Abdominal CT with intravenous contrast, arterial phase, axial plane, 140 kVp, kernel I30f. Slice 271/591 from the bottom of the scan; thickness 1.00 mm; pixel size 0.703 mm.
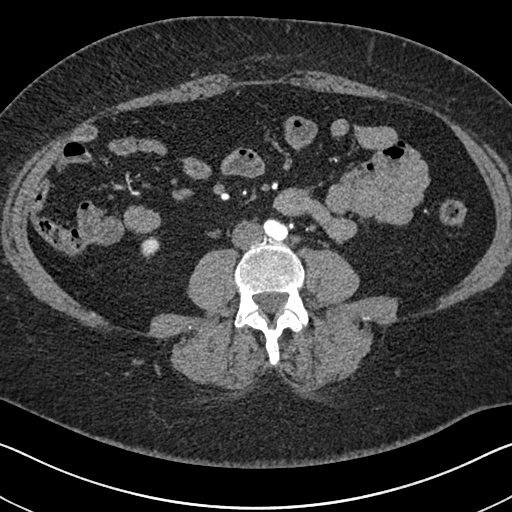
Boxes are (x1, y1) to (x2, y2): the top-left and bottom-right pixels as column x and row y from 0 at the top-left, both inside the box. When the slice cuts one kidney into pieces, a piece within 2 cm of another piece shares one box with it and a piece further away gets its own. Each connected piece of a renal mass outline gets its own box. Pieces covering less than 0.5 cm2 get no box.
Box (141, 241) to (159, 258): right kidney (outlined area 246 px, about 1.2 cm2). This slice carries no renal mass outline.